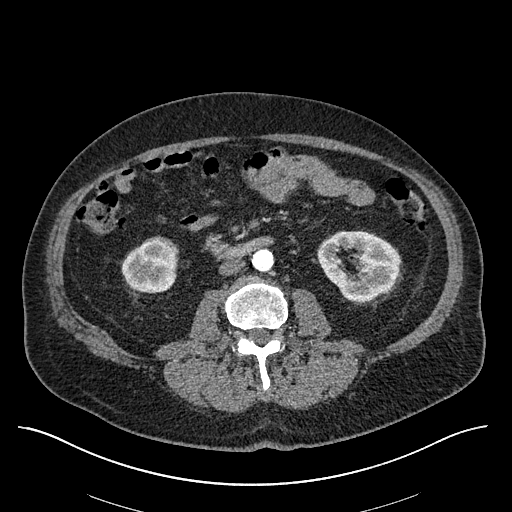
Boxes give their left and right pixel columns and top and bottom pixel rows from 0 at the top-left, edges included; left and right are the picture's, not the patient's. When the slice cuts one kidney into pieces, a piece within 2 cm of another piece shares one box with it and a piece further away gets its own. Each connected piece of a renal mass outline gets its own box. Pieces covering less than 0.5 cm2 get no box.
This is axial slice 269 of 670 (slice 1 is the lowest) of an arterial-phase abdominal CT with contrast; each pixel is 0.861 mm and the slice is 1.00 mm thick. Two kidney boxes on this slice; by box centre, from the image's left to its right: (1) Right kidney in the box with left 121, top 237, right 178, bottom 293 (outlined area 2,526 px, about 18.7 cm2). (2) Left kidney in the box with left 318, top 231, right 400, bottom 302 (outlined area 4,238 px, about 31.4 cm2). No renal mass is outlined on this slice.
Tube voltage 120 kVp; convolution kernel I30f.